One axial slice (135 of 269, counting up from the lowest) of a contrast-enhanced abdominal CT acquired with 100 kVp, kernel I30f; each pixel is 0.732 mm and the slice is 5.00 mm thick.
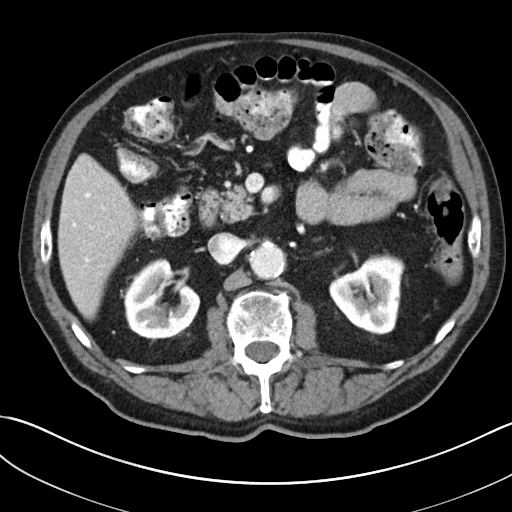
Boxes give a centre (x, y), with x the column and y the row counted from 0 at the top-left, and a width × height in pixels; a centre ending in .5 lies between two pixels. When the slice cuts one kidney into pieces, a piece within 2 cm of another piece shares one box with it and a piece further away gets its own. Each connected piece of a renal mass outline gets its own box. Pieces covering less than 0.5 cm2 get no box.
Boxed on this slice (two kidney boxes), listed by box centre from the image's left to its right: (1) Right kidney, box centre (162, 298), 77 × 81 pixels (outlined area 4,301 px, about 23.1 cm2). (2) Box centre (366.5, 293), 76 × 83 pixels: left kidney (outlined area 4,324 px, about 23.2 cm2). No renal mass outline on this slice.